One axial slice (261 of 445, counting up from the lowest) of an arterial-phase abdominal CT acquired with 120 kVp, kernel STANDARD; each pixel is 0.863 mm and the slice is 1.25 mm thick.
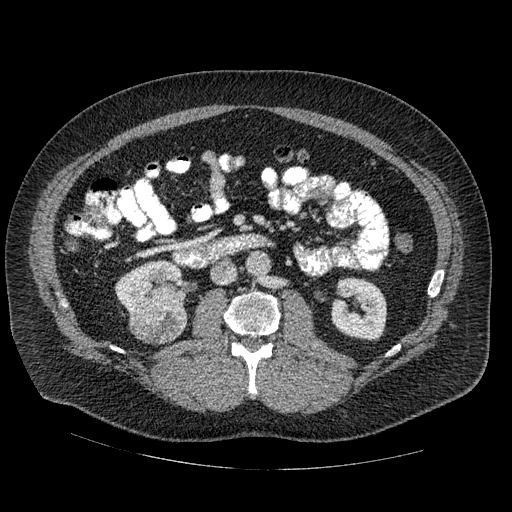
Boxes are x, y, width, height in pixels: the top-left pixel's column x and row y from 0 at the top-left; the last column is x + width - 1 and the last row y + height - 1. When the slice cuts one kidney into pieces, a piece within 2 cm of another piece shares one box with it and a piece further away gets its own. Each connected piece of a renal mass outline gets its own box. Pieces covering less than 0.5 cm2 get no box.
Boxed on this slice (two kidney boxes and one renal mass box), listed by box centre from the image's left to its right: (1) Right kidney at x 115, y 260, width 73, height 52 (outlined area 2,601 px, about 19.4 cm2). (2) Right renal mass at x 128, y 301, width 60, height 44 (outlined area 2,075 px, about 15.5 cm2). (3) Box x 331, y 278, width 57, height 63: left kidney (outlined area 2,781 px, about 20.7 cm2).